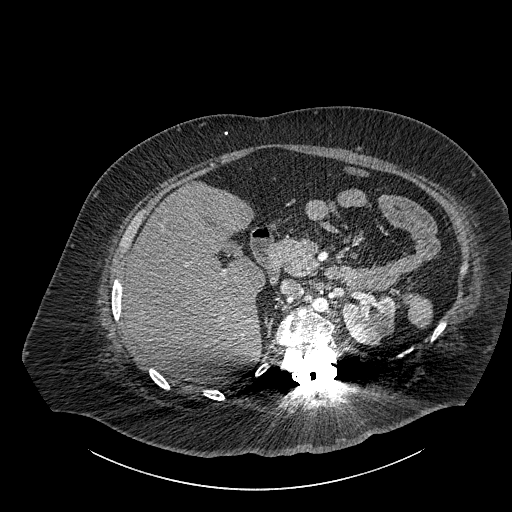
Contrast-enhanced abdominal CT, axial slice 597 of 834 (counted from the lowest slice); tube voltage 140 kVp, convolution kernel I30f; slices 1.00 mm thick, 0.977 mm per pixel.
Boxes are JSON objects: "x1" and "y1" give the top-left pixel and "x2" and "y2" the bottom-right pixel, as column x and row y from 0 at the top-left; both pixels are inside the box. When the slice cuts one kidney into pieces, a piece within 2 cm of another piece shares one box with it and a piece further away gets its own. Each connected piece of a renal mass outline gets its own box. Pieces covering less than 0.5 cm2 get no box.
Left part of the midline-crossing kidney, box {"x1": 342, "y1": 294, "x2": 394, "y2": 344} (outlined area 2,097 px, about 20.0 cm2). No renal mass outline on this slice.